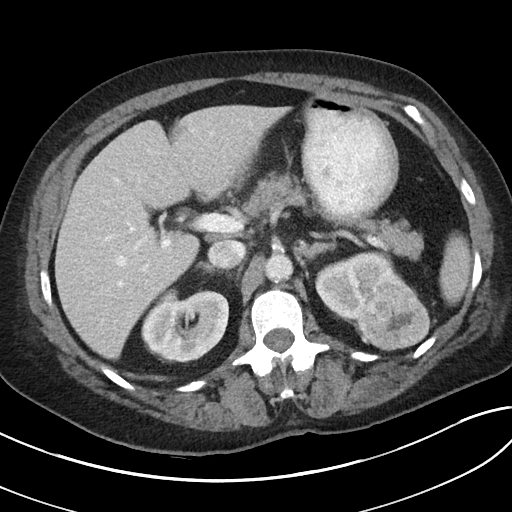
Contrast-enhanced abdominal CT, axial slice 64 of 80 (counted from the lowest slice); tube voltage 100 kVp, convolution kernel I40f; slices 5.00 mm thick, 0.703 mm per pixel.
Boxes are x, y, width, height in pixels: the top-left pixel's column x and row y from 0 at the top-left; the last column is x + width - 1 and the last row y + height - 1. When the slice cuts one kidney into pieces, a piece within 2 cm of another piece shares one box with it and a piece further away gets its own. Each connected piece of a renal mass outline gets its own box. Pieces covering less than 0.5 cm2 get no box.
Boxed on this slice (two kidney boxes and one renal mass box), listed by box centre from the image's left to its right: (1) Box x 141, y 290, width 89, height 73: right kidney (outlined area 4,918 px, about 24.3 cm2). (2) Box x 315, y 251, width 103, height 73: left kidney (outlined area 3,962 px, about 19.6 cm2). (3) Left renal mass, box x 356, y 289, width 75, height 62 (outlined area 3,431 px, about 17.0 cm2).